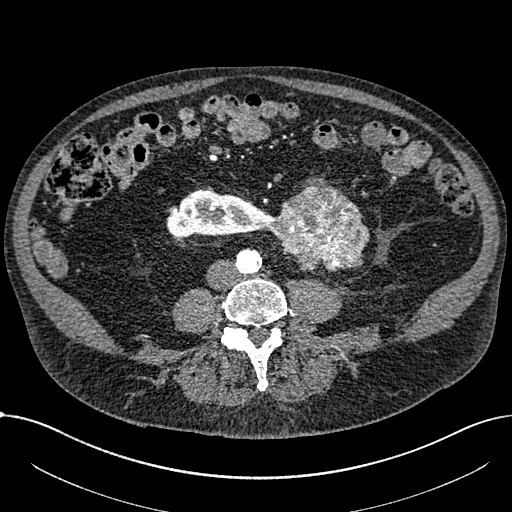
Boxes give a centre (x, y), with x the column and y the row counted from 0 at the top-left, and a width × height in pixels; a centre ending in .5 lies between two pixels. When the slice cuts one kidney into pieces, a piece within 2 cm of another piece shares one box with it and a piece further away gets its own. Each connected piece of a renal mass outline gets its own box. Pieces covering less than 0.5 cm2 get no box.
This is axial slice 247 of 1059 (slice 1 is the lowest) of an arterial-phase abdominal CT with contrast; each pixel is 0.811 mm and the slice is 1.00 mm thick. Two boxes on this slice (one kidney box and one renal mass box), listed by box centre from the image's left to its right. (1) Right part of the midline-crossing kidney in a box with centre (219, 213.5), 107 × 50 pixels (outlined area 3,703 px, about 24.3 cm2). (2) Renal mass in a box with centre (320, 226), 99 × 91 pixels (outlined area 6,333 px, about 41.6 cm2).
Tube voltage 100 kVp; convolution kernel I30f.